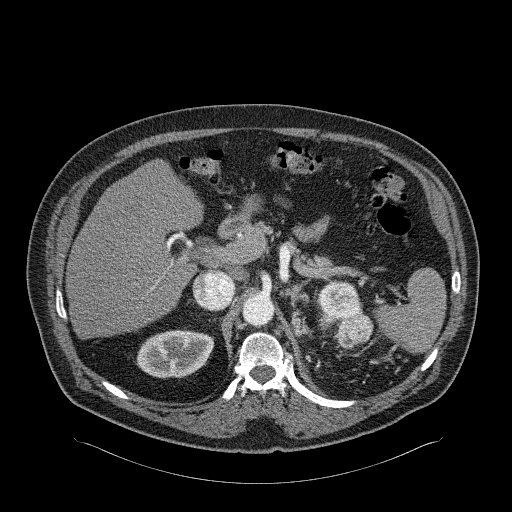
Axial slice 181 of 326 of a contrast-enhanced abdominal CT in the arterial phase (slice 1 is the lowest), 120 kVp, kernel B31f; 2.00 mm slice thickness and 0.963 mm pixels.
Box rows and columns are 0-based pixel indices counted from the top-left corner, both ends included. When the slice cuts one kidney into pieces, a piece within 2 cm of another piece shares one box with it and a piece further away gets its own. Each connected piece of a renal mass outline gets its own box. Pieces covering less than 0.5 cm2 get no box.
Two boxes on this slice (one kidney box and one renal mass box), listed by box centre from the image's left to its right. (1) Box rows 329–378, columns 136–213: right kidney (outlined area 2,973 px, about 27.6 cm2). (2) Left renal mass, box rows 280–348, columns 316–373 (outlined area 2,582 px, about 23.9 cm2); here it is more than 1 cm from any kidney outline, though on another slice the same outlined renal mass lies within 1 cm of the kidney.